Abdominal CT with intravenous contrast, axial plane, 100 kVp, kernel I40f. Slice 303/439 from the bottom of the scan; thickness 2.00 mm; pixel size 0.850 mm.
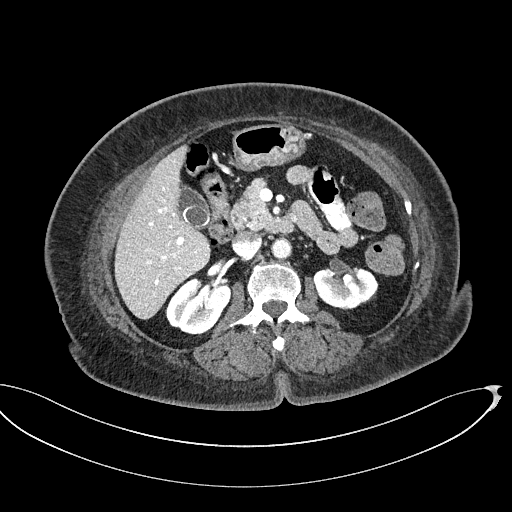
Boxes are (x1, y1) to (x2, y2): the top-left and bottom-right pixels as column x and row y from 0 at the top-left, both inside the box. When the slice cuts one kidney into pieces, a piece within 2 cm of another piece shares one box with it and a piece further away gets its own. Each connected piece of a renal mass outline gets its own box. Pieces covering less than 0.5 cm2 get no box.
Boxed on this slice (two kidney boxes), listed by box centre from the image's left to its right: (1) Right kidney from (166, 278) to (230, 335) (outlined area 2,663 px, about 19.2 cm2). (2) Box (313, 268) to (378, 309): left kidney (outlined area 2,177 px, about 15.7 cm2). This slice carries no renal mass outline.